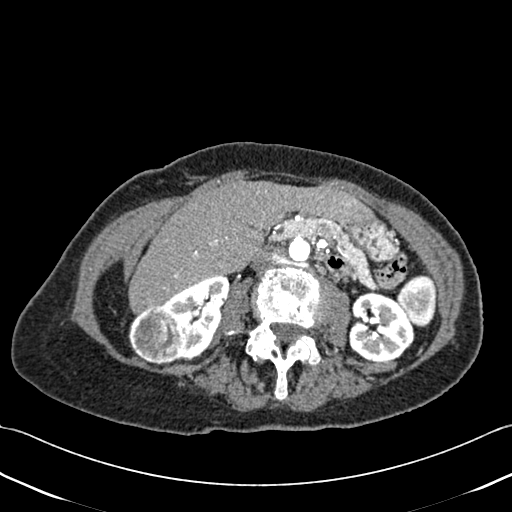
Abdominal CT with intravenous contrast, axial plane, 120 kVp, kernel B30f. Slice 222/433 from the bottom of the scan; thickness 1.00 mm; pixel size 0.672 mm.
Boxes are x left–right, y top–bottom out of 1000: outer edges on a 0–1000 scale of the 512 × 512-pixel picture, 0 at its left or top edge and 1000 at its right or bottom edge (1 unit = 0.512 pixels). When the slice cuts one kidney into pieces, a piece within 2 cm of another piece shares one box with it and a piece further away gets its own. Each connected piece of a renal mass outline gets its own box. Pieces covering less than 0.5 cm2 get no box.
Boxed on this slice (two kidney boxes and one renal mass box), listed by box centre from the image's left to its right: (1) Right renal mass at x 250–367, y 596–713 out of 1000 (outlined area 2,765 px, about 12.5 cm2). (2) Right kidney at x 313–451, y 537–707 out of 1000 (outlined area 3,046 px, about 13.8 cm2). (3) Box x 680–811, y 568–709 out of 1000: left kidney (outlined area 3,625 px, about 16.4 cm2).